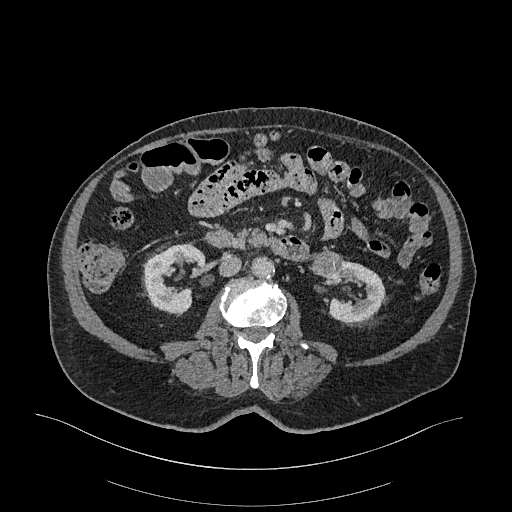
One axial slice (127 of 470, counting up from the lowest) of an arterial-phase abdominal CT acquired with 120 kVp, kernel I26f; each pixel is 0.938 mm and the slice is 1.00 mm thick.
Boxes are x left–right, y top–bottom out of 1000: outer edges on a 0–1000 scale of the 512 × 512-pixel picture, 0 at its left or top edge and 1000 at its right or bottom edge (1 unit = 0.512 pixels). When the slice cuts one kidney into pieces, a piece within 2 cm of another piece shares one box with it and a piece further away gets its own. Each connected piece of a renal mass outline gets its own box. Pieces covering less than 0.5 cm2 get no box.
Boxed on this slice (two kidney boxes and one renal mass box), listed by box centre from the image's left to its right: (1) Box x 279–404, y 475–615 out of 1000: right kidney (outlined area 2,931 px, about 25.8 cm2). (2) Box x 604–670, y 488–549 out of 1000: left renal mass (outlined area 755 px, about 6.6 cm2). (3) Left kidney, box x 617–758, y 506–631 out of 1000 (outlined area 2,520 px, about 22.1 cm2).